Abdominal CT with intravenous contrast, arterial phase, axial plane, 120 kVp, kernel I30f. Slice 424/626 from the bottom of the scan; thickness 1.00 mm; pixel size 0.703 mm.
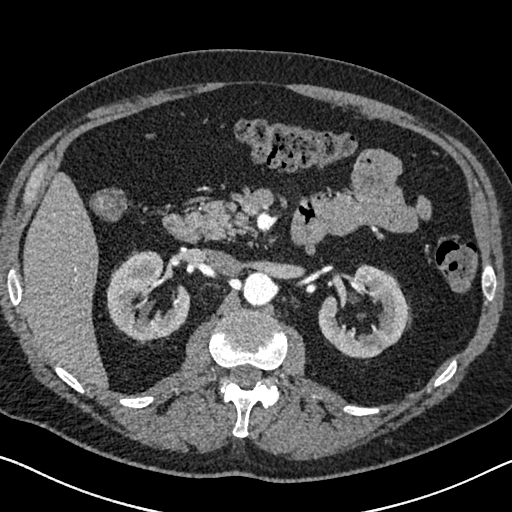
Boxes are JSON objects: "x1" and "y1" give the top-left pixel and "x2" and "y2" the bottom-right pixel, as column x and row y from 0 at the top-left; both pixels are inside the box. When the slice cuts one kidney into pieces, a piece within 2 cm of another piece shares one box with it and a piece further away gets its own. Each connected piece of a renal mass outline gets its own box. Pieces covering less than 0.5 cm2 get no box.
Two boxes on this slice (two kidney boxes), listed by box centre from the image's left to its right. (1) Box {"x1": 106, "y1": 250, "x2": 190, "y2": 341}: right kidney (outlined area 5,011 px, about 24.8 cm2). (2) Box {"x1": 318, "y1": 263, "x2": 407, "y2": 358}: left kidney (outlined area 4,990 px, about 24.7 cm2). No renal mass is outlined on this slice.